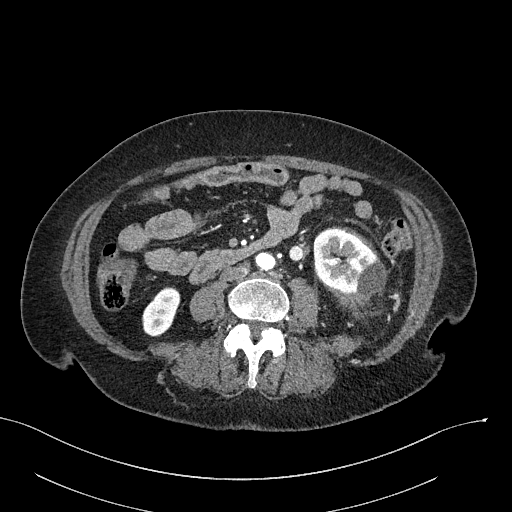
Abdominal CT with intravenous contrast, arterial phase, axial plane, 100 kVp, kernel I40f. Slice 90/316 from the bottom of the scan; thickness 2.00 mm; pixel size 0.840 mm.
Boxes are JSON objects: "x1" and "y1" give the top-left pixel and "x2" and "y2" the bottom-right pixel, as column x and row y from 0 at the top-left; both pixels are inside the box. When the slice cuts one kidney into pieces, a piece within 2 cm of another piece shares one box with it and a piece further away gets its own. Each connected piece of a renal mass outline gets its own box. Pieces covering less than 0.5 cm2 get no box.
Two kidney boxes on this slice; by box centre, from the image's left to its right: (1) Right kidney, box {"x1": 142, "y1": 286, "x2": 180, "y2": 336} (outlined area 1,347 px, about 9.5 cm2). (2) Left kidney at {"x1": 313, "y1": 229, "x2": 386, "y2": 303} (outlined area 3,837 px, about 27.1 cm2). This slice carries no renal mass outline.